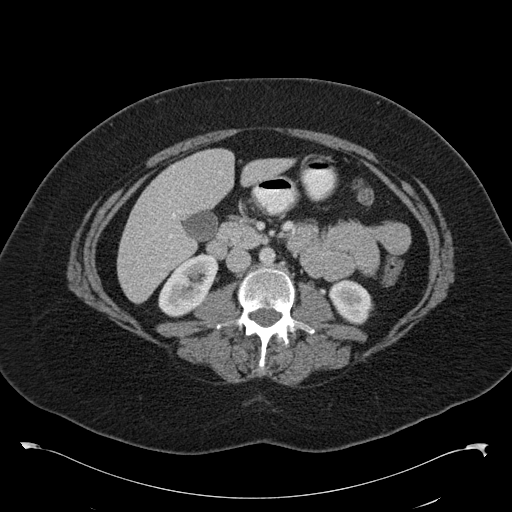
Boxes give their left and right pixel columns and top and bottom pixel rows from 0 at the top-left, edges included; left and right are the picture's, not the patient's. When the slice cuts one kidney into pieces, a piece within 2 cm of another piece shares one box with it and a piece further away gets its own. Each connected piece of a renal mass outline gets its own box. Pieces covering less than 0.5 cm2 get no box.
Arterial-phase contrast-enhanced abdominal CT, axial slice 58 of 97 (counted from the lowest slice); 5.00 mm thick, 0.824 mm per pixel. Boxed on this slice (two kidney boxes), listed by box centre from the image's left to its right: (1) Right kidney in the box with left 158, top 255, right 217, bottom 317 (outlined area 2,466 px, about 16.8 cm2). (2) Left kidney in the box with left 328, top 279, right 373, bottom 325 (outlined area 1,458 px, about 9.9 cm2). This slice carries no renal mass outline.
Acquired at 120 kVp and reconstructed with the B30f kernel.